Arterial-phase contrast-enhanced abdominal CT, axial slice 230 of 538 (counted from the lowest slice); tube voltage 120 kVp, convolution kernel B30f; slices 1.00 mm thick, 0.811 mm per pixel.
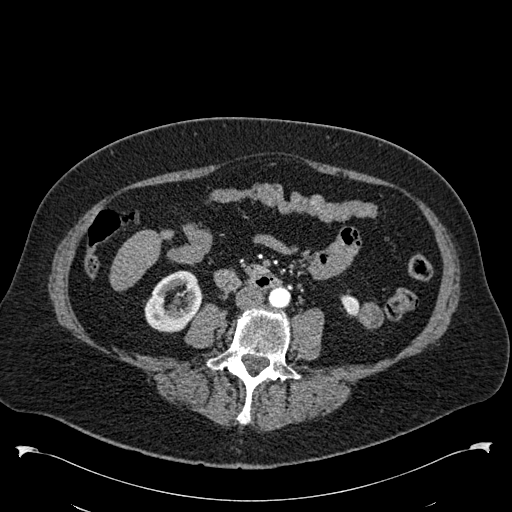
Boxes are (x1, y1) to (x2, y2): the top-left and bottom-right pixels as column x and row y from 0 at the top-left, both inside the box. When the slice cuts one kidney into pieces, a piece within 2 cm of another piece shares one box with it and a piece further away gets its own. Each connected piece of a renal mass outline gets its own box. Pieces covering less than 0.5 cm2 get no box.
Three boxes on this slice (two kidney boxes and one renal mass box), listed by box centre from the image's left to its right. (1) Right kidney from (144, 270) to (202, 332) (outlined area 2,542 px, about 16.7 cm2). (2) Box (340, 291) to (360, 316): left kidney (outlined area 321 px, about 2.1 cm2). (3) Box (355, 302) to (383, 328): left renal mass (outlined area 538 px, about 3.5 cm2).